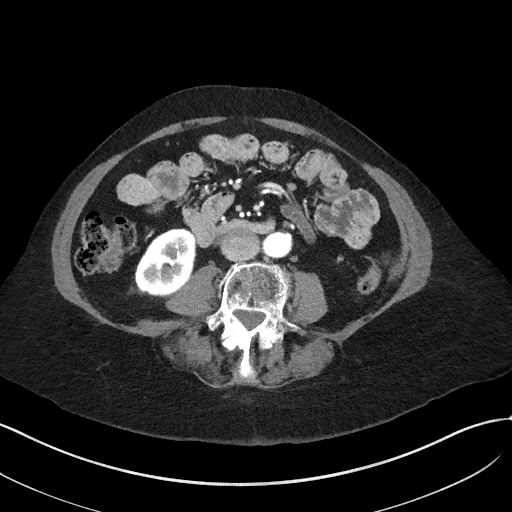
One axial slice (9 of 50, counting up from the lowest) of an arterial-phase abdominal CT acquired with 100 kVp, kernel I41f; each pixel is 0.758 mm and the slice is 3.00 mm thick.
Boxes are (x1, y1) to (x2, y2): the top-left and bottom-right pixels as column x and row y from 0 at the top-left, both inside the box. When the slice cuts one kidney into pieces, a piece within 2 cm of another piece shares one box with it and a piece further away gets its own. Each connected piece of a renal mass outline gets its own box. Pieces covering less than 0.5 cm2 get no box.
Right kidney from (134, 229) to (195, 296) (outlined area 3,016 px, about 17.3 cm2). This slice carries no renal mass outline.